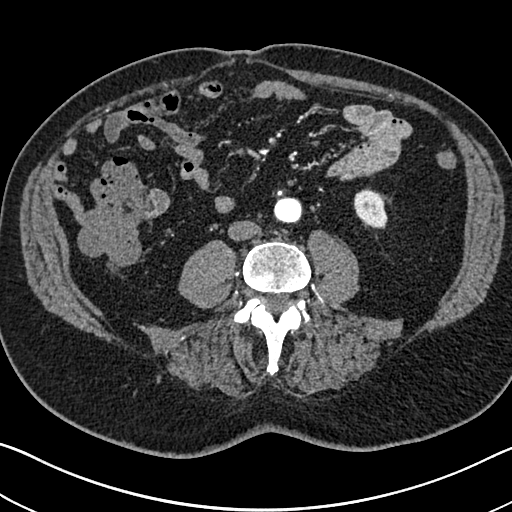
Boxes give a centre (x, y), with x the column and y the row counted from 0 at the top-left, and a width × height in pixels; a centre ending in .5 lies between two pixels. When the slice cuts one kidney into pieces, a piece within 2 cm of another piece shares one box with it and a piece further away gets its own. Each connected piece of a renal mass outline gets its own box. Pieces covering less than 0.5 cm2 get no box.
Arterial-phase contrast-enhanced abdominal CT, axial slice 277 of 705 (counted from the lowest slice); 1.00 mm thick, 0.703 mm per pixel. Left kidney in a box with centre (370, 208), 35 × 41 pixels (outlined area 1,052 px, about 5.2 cm2). No renal mass outline on this slice.
Scan settings: 120 kVp, I30f reconstruction kernel.